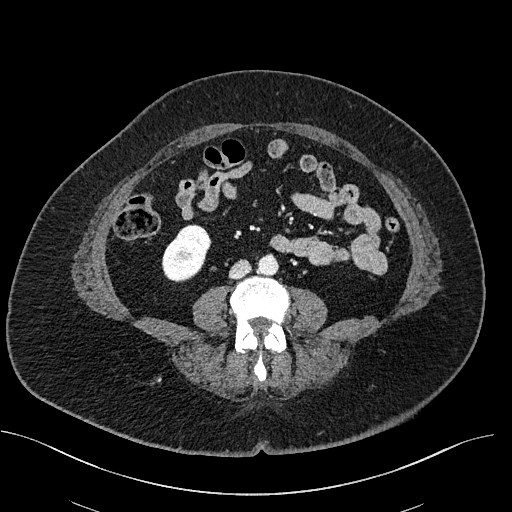
Contrast-enhanced abdominal CT, axial slice 246 of 470 (counted from the lowest slice); tube voltage 100 kVp, convolution kernel I40f; slices 2.00 mm thick, 0.824 mm per pixel.
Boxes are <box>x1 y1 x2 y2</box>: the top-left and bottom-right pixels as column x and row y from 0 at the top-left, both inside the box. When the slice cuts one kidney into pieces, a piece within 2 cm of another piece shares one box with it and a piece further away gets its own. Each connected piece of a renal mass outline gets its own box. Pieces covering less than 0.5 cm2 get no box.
Right kidney at <box>162 224 211 282</box> (outlined area 2,042 px, about 13.9 cm2). This slice carries no renal mass outline.